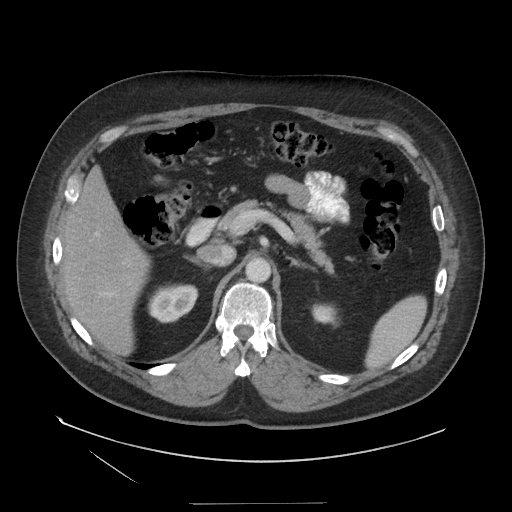
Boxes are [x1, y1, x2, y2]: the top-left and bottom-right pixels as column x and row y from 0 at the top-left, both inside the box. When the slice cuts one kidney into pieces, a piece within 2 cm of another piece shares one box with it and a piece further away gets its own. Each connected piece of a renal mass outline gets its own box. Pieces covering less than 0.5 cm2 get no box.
Arterial-phase contrast-enhanced abdominal CT, axial slice 94 of 129 (counted from the lowest slice); 3.75 mm thick, 0.938 mm per pixel. Boxed on this slice (two kidney boxes), listed by box centre from the image's left to its right: (1) Right kidney at [147, 283, 198, 323] (outlined area 1,551 px, about 13.6 cm2). (2) Left kidney at [311, 303, 339, 327] (outlined area 534 px, about 4.7 cm2). This slice carries no renal mass outline.
Scan settings: 140 kVp, STANDARD reconstruction kernel.